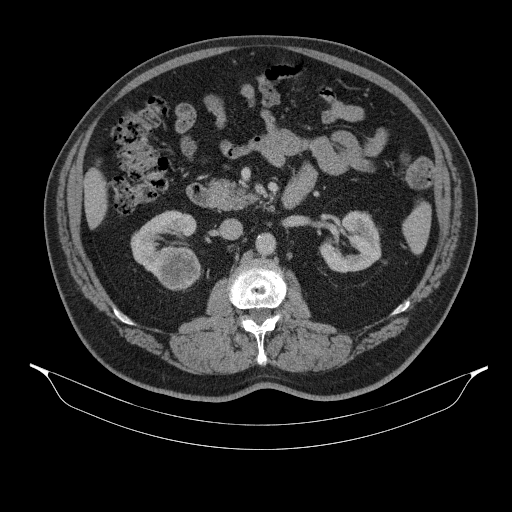
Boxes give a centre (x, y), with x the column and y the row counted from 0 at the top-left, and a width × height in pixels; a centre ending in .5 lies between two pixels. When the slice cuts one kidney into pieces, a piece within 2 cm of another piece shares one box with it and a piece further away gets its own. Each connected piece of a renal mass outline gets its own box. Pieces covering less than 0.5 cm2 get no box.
Slice 199/314 of a contrast-enhanced abdominal CT, counting up from the lowest; pixel size 0.934 mm, slice thickness 2.50 mm. Three boxes on this slice (two kidney boxes and one renal mass box), listed by box centre from the image's left to its right. (1) Right kidney in a box with centre (163.5, 242.5), 68 × 66 pixels (outlined area 2,267 px, about 19.8 cm2). (2) Right renal mass in a box with centre (178.5, 268.5), 48 × 46 pixels (outlined area 1,641 px, about 14.3 cm2). (3) Left kidney, box centre (350.5, 241), 62 × 63 pixels (outlined area 2,533 px, about 22.1 cm2).
Tube voltage 130 kVp; convolution kernel B31s.